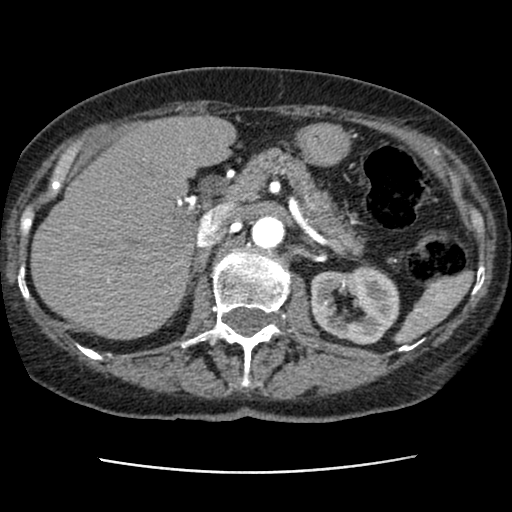
Abdominal CT with intravenous contrast, axial plane, 120 kVp, kernel STANDARD. Slice 56/76 from the bottom of the scan; thickness 2.50 mm; pixel size 0.586 mm.
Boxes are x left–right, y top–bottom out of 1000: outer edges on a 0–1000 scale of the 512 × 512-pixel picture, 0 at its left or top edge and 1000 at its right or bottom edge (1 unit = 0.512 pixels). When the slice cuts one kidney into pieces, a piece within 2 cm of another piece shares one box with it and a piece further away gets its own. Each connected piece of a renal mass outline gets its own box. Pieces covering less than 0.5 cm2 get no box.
Box x 604–781, y 516–674 out of 1000: left kidney (outlined area 5,232 px, about 18.0 cm2). No renal mass outline on this slice.